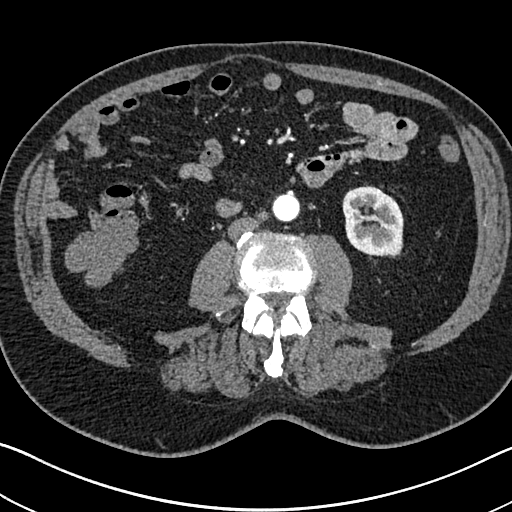
One axial slice (317 of 705, counting up from the lowest) of an arterial-phase abdominal CT acquired with 120 kVp, kernel I30f; each pixel is 0.703 mm and the slice is 1.00 mm thick.
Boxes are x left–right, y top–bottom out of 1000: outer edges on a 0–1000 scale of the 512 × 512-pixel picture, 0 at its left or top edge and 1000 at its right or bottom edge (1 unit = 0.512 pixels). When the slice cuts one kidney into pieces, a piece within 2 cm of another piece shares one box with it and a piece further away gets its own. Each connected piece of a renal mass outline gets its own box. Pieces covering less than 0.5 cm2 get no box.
Box x 668–789, y 361–502 out of 1000: left kidney (outlined area 3,558 px, about 17.6 cm2). No renal mass is outlined on this slice.